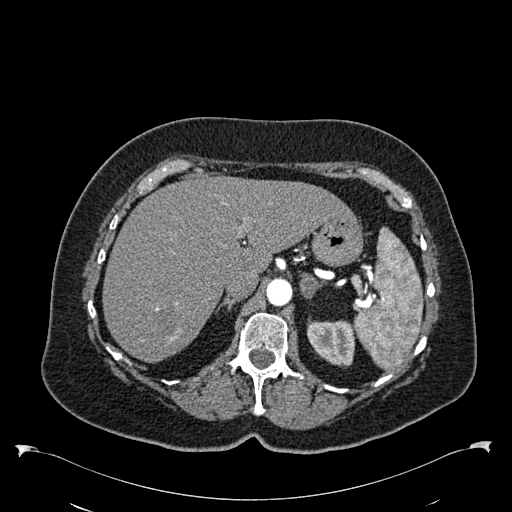
Arterial-phase contrast-enhanced abdominal CT, axial slice 425 of 538 (counted from the lowest slice); tube voltage 120 kVp, convolution kernel B30f; slices 1.00 mm thick, 0.811 mm per pixel.
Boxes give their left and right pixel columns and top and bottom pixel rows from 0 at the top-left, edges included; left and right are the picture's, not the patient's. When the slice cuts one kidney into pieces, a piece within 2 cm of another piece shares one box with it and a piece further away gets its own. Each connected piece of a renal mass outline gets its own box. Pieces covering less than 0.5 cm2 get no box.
Left kidney in the box with left 307, top 318, right 355, bottom 366 (outlined area 1,810 px, about 11.9 cm2). No renal mass outline on this slice.